Arterial-phase contrast-enhanced abdominal CT, axial slice 90 of 274 (counted from the lowest slice); tube voltage 120 kVp, convolution kernel B30f; slices 2.00 mm thick, 0.809 mm per pixel.
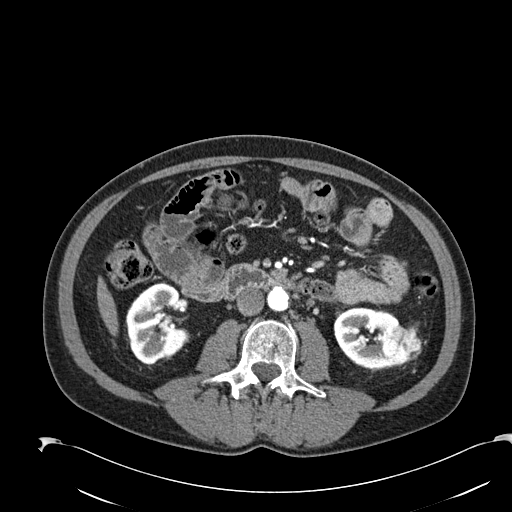
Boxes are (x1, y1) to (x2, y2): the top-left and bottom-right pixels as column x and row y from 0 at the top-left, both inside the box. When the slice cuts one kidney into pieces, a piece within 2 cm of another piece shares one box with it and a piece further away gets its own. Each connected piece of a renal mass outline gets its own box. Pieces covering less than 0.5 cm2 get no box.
Three boxes on this slice (two kidney boxes and one renal mass box), listed by box centre from the image's left to its right. (1) Box (125, 286) to (186, 365): right kidney (outlined area 3,683 px, about 24.1 cm2). (2) Left kidney, box (333, 307) to (398, 369) (outlined area 2,751 px, about 18.0 cm2). (3) Left renal mass from (382, 323) to (421, 367) (outlined area 1,308 px, about 8.6 cm2).